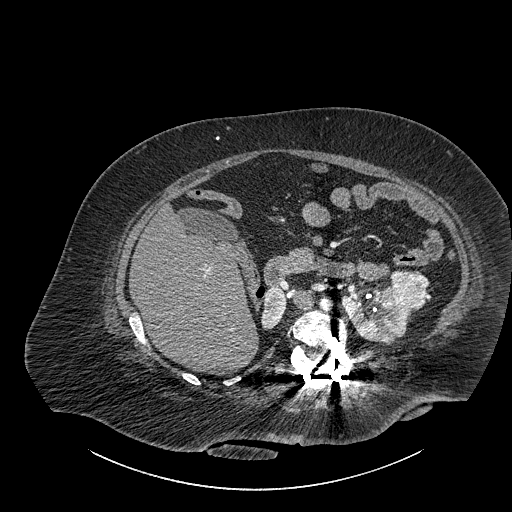
Axial slice 551 of 834 of a contrast-enhanced abdominal CT (slice 1 is the lowest), 140 kVp, kernel I30f; 1.00 mm slice thickness and 0.977 mm pixels.
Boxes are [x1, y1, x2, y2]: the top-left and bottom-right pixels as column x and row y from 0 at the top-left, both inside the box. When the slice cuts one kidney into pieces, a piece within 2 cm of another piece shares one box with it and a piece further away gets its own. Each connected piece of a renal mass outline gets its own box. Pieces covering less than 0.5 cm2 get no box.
Boxed on this slice (two kidney boxes and one renal mass box), listed by box centre from the image's left to its right: (1) Right part of the midline-crossing kidney, box [261, 287, 286, 329] (outlined area 834 px, about 8.0 cm2). (2) Box [341, 286, 416, 345]: left part of the midline-crossing kidney (outlined area 2,610 px, about 24.9 cm2). (3) Renal mass, box [390, 270, 429, 309] (outlined area 1,247 px, about 11.9 cm2).